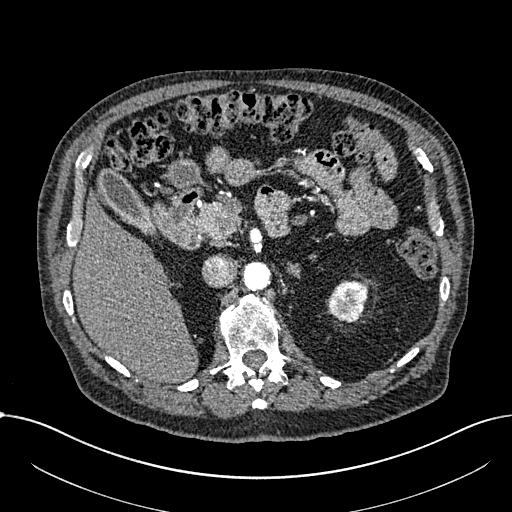
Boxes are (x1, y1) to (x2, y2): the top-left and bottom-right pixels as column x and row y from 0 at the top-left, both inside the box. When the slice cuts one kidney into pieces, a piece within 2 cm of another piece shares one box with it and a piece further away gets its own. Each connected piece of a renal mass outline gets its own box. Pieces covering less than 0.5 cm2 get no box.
Arterial-phase contrast-enhanced abdominal CT, axial slice 456 of 1059 (counted from the lowest slice); 1.00 mm thick, 0.811 mm per pixel. Left part of the midline-crossing kidney, box (326, 280) to (368, 322) (outlined area 1,359 px, about 8.9 cm2). No renal mass outline on this slice.
Scan settings: 100 kVp, I30f reconstruction kernel.